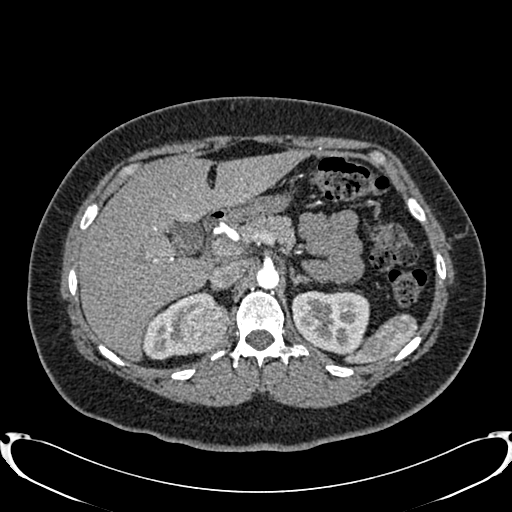
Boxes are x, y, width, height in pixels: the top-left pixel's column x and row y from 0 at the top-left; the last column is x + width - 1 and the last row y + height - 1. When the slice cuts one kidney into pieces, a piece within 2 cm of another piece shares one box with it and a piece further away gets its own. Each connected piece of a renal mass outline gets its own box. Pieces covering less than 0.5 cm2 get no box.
Slice 558/719 of a contrast-enhanced abdominal CT in the arterial phase, counting up from the lowest; pixel size 0.766 mm, slice thickness 1.00 mm. Boxed on this slice (two kidney boxes and one renal mass box), listed by box centre from the image's left to its right: (1) Right kidney at x 141, y 290, width 76, height 71 (outlined area 2,255 px, about 13.2 cm2). (2) Box x 179, y 303, width 53, height 52: right renal mass (outlined area 2,147 px, about 12.6 cm2). (3) Box x 291, y 290, width 79, height 65: left kidney (outlined area 4,027 px, about 23.6 cm2).
Acquired at 120 kVp and reconstructed with the B20f kernel.